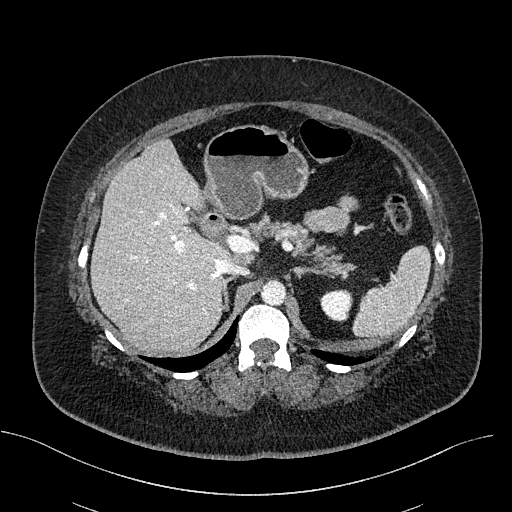
Axial slice 343 of 470 of a contrast-enhanced abdominal CT (slice 1 is the lowest), 100 kVp, kernel I40f; 2.00 mm slice thickness and 0.824 mm pixels.
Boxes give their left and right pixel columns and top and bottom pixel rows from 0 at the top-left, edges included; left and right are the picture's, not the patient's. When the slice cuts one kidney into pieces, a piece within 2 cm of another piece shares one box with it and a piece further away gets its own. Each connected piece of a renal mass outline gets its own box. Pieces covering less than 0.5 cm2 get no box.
Left kidney in the box with left 320, top 289, right 351, bottom 322 (outlined area 842 px, about 5.7 cm2). No renal mass is outlined on this slice.